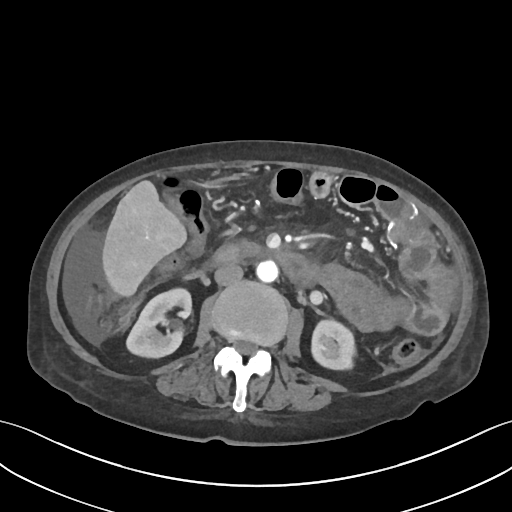
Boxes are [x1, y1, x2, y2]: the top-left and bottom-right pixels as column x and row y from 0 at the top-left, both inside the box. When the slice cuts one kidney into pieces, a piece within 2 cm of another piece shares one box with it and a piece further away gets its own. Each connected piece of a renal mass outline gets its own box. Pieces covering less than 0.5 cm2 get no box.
Contrast-enhanced abdominal CT, axial slice 31 of 109 (counted from the lowest slice); 3.00 mm thick, 0.742 mm per pixel. Two boxes on this slice (two kidney boxes), listed by box centre from the image's left to its right. (1) Right kidney, box [125, 287, 192, 358] (outlined area 3,287 px, about 18.1 cm2). (2) Left kidney at [310, 318, 357, 370] (outlined area 2,028 px, about 11.2 cm2). No renal mass is outlined on this slice.
Tube voltage 120 kVp; convolution kernel I30f.